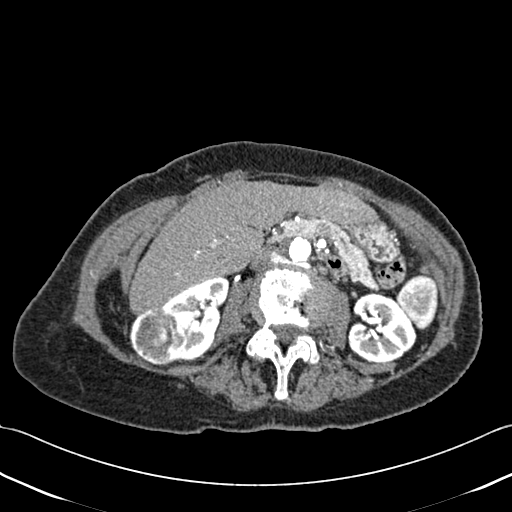
One axial slice (226 of 433, counting up from the lowest) of a contrast-enhanced abdominal CT acquired with 120 kVp, kernel B30f; each pixel is 0.672 mm and the slice is 1.00 mm thick.
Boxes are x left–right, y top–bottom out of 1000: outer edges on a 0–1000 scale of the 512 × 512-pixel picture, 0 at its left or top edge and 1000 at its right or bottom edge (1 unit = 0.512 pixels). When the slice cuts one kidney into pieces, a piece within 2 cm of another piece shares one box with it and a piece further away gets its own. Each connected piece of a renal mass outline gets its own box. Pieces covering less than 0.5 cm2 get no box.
Three boxes on this slice (two kidney boxes and one renal mass box), listed by box centre from the image's left to its right. (1) Box x 254–367, y 598–715 out of 1000: right renal mass (outlined area 2,601 px, about 11.7 cm2). (2) Right kidney, box x 314–449, y 541–705 out of 1000 (outlined area 3,088 px, about 13.9 cm2). (3) Box x 676–814, y 570–711 out of 1000: left kidney (outlined area 3,673 px, about 16.6 cm2).